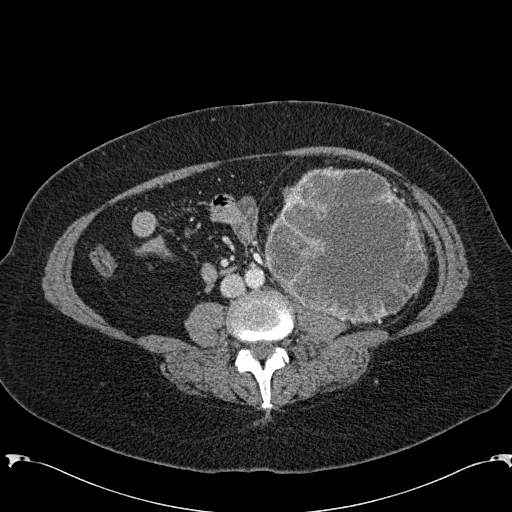
Axial slice 69 of 285 of a contrast-enhanced abdominal CT in the arterial phase (slice 1 is the lowest), 120 kVp, kernel B31f; 2.00 mm slice thickness and 0.762 mm pixels.
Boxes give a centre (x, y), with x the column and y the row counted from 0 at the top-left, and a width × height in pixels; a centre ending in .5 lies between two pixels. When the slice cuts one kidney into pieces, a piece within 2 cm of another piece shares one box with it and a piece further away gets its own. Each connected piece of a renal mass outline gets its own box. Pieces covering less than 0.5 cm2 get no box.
Left renal mass in a box with centre (345.5, 244.5), 164 × 158 pixels (outlined area 19,346 px, about 112.2 cm2); no kidney outline appears on this slice, but the same outlined renal mass comes within 1 cm of the kidney on another slice.